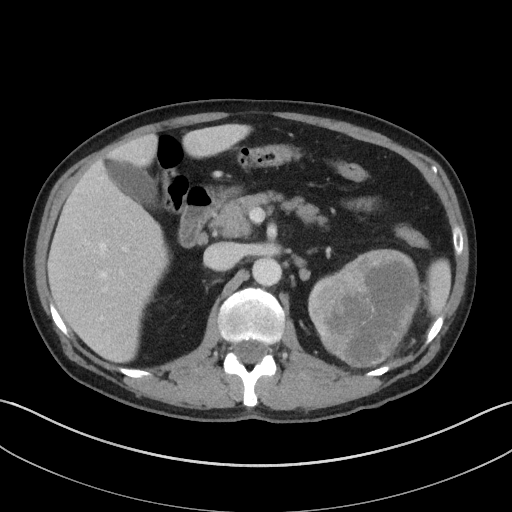
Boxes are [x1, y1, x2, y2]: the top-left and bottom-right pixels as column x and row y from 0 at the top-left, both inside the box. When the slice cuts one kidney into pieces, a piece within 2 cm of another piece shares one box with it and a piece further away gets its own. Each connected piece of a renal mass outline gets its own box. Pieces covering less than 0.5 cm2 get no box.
Slice 73/143 of a contrast-enhanced abdominal CT, counting up from the lowest; pixel size 0.734 mm, slice thickness 5.00 mm. Two boxes on this slice (one kidney box and one renal mass box), listed by box centre from the image's left to its right. (1) Left kidney at [308, 265, 344, 328] (outlined area 695 px, about 3.7 cm2). (2) Left renal mass at [316, 249, 420, 368] (outlined area 9,207 px, about 49.7 cm2).
Acquired at 100 kVp and reconstructed with the I41f kernel.